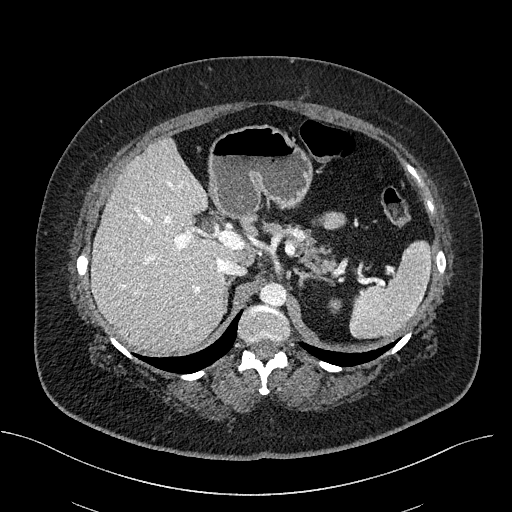
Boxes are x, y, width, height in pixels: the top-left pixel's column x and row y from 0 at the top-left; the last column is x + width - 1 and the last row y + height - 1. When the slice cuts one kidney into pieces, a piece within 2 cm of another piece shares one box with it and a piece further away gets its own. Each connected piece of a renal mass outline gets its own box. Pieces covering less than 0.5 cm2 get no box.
This is axial slice 348 of 470 (slice 1 is the lowest) of an abdominal CT with contrast; each pixel is 0.824 mm and the slice is 2.00 mm thick. Left kidney at x 328, y 298, width 14, height 15 (outlined area 149 px, about 1.0 cm2). This slice carries no renal mass outline.
Scan settings: 100 kVp, I40f reconstruction kernel.